One axial slice (69 of 110, counting up from the lowest) of an arterial-phase abdominal CT acquired with 130 kVp, kernel B30s; each pixel is 0.836 mm and the slice is 5.00 mm thick.
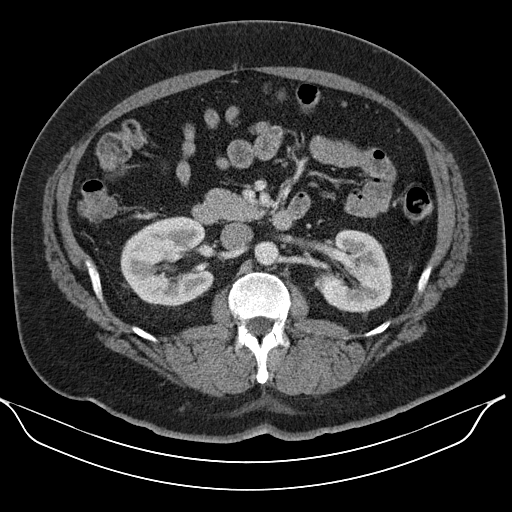
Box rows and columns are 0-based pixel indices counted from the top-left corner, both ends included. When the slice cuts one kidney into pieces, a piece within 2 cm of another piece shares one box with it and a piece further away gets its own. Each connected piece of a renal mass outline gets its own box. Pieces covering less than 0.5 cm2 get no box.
Boxed on this slice (two kidney boxes), listed by box centre from the image's left to its right: (1) Box rows 216–307, columns 120–214: right kidney (outlined area 6,295 px, about 44.0 cm2). (2) Left kidney at rows 229–312, columns 314–392 (outlined area 4,796 px, about 33.5 cm2). This slice carries no renal mass outline.